Axial slice 190 of 304 of a contrast-enhanced abdominal CT in the arterial phase (slice 1 is the lowest), 100 kVp, kernel I30f; 2.00 mm slice thickness and 0.809 mm pixels.
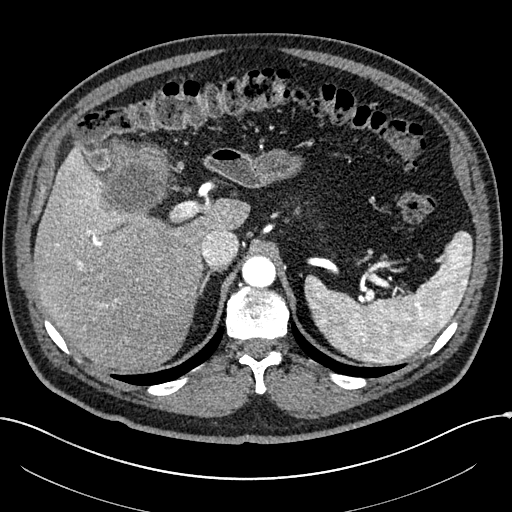
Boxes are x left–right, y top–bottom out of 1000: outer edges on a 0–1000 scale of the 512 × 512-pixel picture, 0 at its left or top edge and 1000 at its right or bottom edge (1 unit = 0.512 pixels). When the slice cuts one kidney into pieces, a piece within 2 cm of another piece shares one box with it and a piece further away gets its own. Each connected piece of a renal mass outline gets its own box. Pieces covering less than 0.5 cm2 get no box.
Right renal mass at x 195–332, y 279–420 out of 1000 (outlined area 3,829 px, about 25.0 cm2); this slice has no kidney outline, though on another slice the same outlined renal mass lies within 1 cm of the kidney.